Axial slice 382 of 738 of a contrast-enhanced abdominal CT in the arterial phase (slice 1 is the lowest), 120 kVp, kernel I30f; 1.00 mm slice thickness and 0.789 mm pixels.
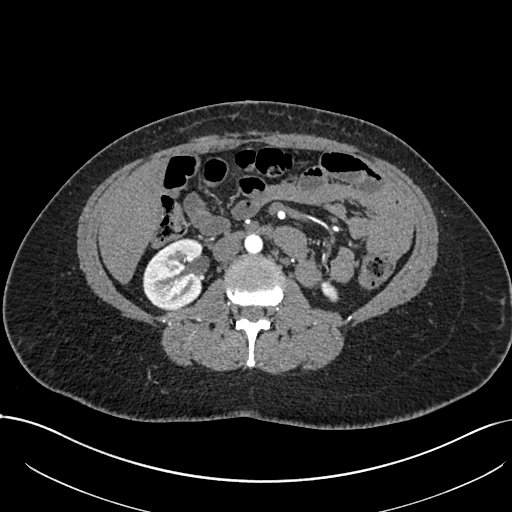
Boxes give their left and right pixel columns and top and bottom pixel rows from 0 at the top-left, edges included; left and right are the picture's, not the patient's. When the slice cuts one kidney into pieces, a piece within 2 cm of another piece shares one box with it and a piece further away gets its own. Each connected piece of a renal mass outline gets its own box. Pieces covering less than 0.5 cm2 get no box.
Two kidney boxes on this slice; by box centre, from the image's left to its right: (1) Box with left 143, top 238, right 202, bottom 309: right kidney (outlined area 3,440 px, about 21.4 cm2). (2) Left kidney, the box with left 320, top 280, right 338, bottom 299 (outlined area 245 px, about 1.5 cm2). No renal mass outline on this slice.